Axial slice 415 of 532 of a contrast-enhanced abdominal CT in the arterial phase (slice 1 is the lowest), 120 kVp, kernel B30f; 1.00 mm slice thickness and 0.713 mm pixels.
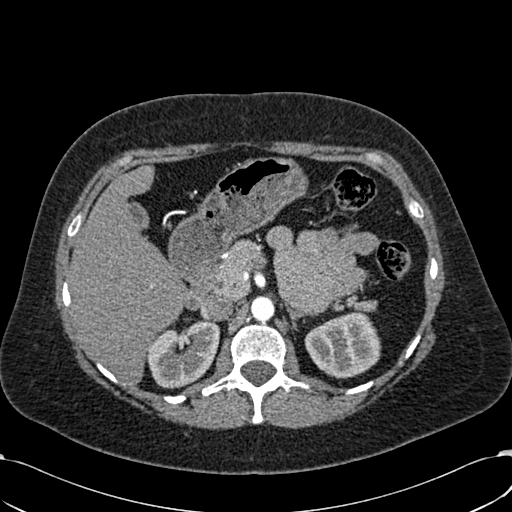
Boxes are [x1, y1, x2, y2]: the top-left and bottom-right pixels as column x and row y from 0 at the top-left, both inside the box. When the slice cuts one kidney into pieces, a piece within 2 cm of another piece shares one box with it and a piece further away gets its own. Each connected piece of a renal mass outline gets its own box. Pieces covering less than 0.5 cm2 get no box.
Boxed on this slice (two kidney boxes), listed by box centre from the image's left to its right: (1) Right kidney at [147, 320, 219, 388] (outlined area 3,613 px, about 18.4 cm2). (2) Box [304, 311, 381, 378]: left kidney (outlined area 3,787 px, about 19.2 cm2). No renal mass outline on this slice.